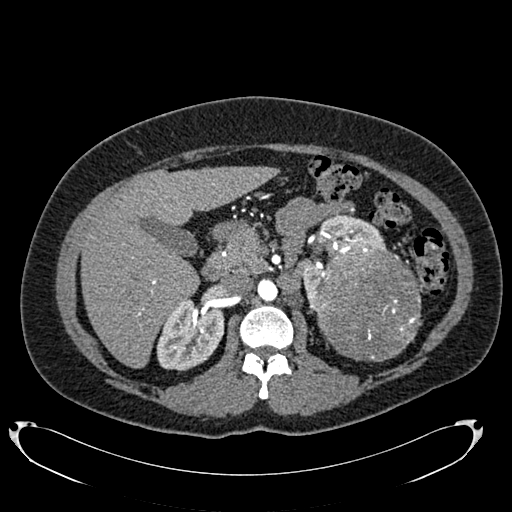
Arterial-phase contrast-enhanced abdominal CT, axial slice 459 of 634 (counted from the lowest slice); tube voltage 120 kVp, convolution kernel B20f; slices 1.00 mm thick, 0.838 mm per pixel.
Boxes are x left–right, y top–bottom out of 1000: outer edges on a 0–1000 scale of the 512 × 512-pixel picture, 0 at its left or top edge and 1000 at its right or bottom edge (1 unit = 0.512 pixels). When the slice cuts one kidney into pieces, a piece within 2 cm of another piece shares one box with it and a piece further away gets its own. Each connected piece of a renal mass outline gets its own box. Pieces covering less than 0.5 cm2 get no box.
Two kidney boxes and one renal mass box on this slice; by box centre, from the image's left to its right: (1) Box x 305–439, y 576–727 out of 1000: right kidney (outlined area 3,756 px, about 26.4 cm2). (2) Left kidney at x 586–754, y 416–609 out of 1000 (outlined area 2,564 px, about 18.0 cm2). (3) Left renal mass, box x 613–826, y 471–707 out of 1000 (outlined area 10,347 px, about 72.6 cm2).